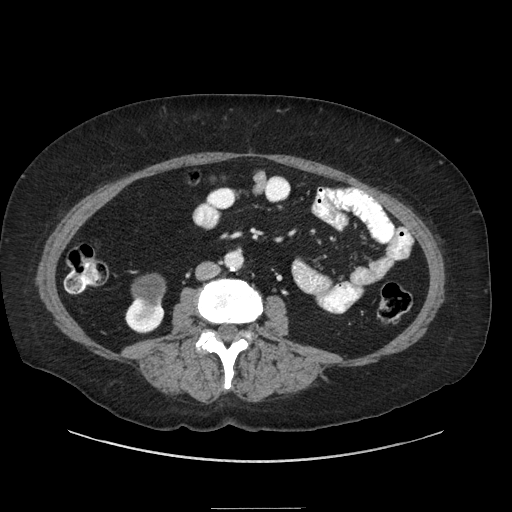
Abdominal CT with intravenous contrast, axial plane, 120 kVp, kernel STANDARD. Slice 104/186 from the bottom of the scan; thickness 2.50 mm; pixel size 0.850 mm.
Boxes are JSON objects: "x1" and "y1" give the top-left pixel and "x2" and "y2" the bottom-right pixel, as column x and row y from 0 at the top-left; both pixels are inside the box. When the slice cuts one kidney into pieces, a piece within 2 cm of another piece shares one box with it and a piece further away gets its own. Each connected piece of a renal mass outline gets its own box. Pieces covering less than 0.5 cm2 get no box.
One kidney box and one renal mass box on this slice; by box centre, from the image's left to its right: (1) Right kidney at {"x1": 125, "y1": 298, "x2": 164, "y2": 333} (outlined area 805 px, about 5.8 cm2). (2) Right renal mass, box {"x1": 131, "y1": 273, "x2": 165, "y2": 315} (outlined area 1,065 px, about 7.7 cm2).